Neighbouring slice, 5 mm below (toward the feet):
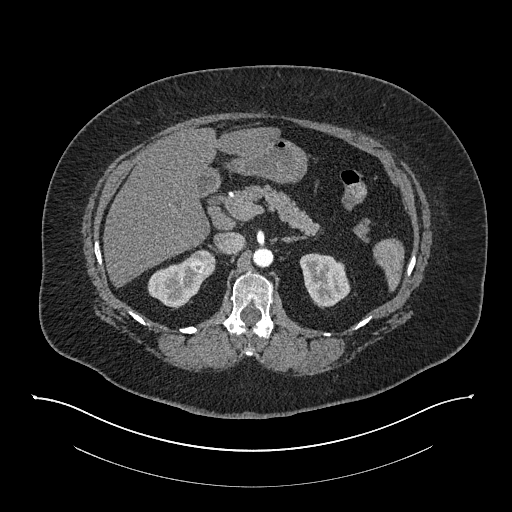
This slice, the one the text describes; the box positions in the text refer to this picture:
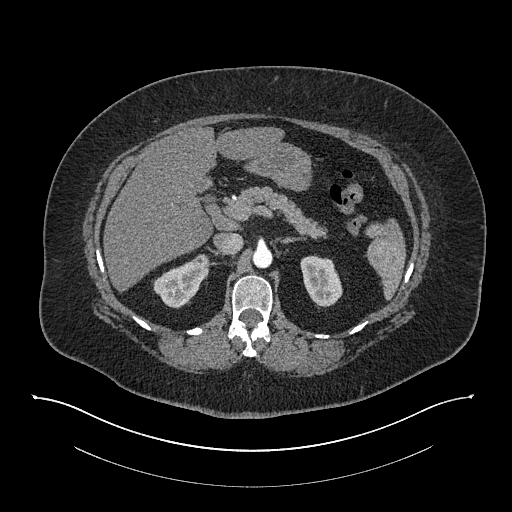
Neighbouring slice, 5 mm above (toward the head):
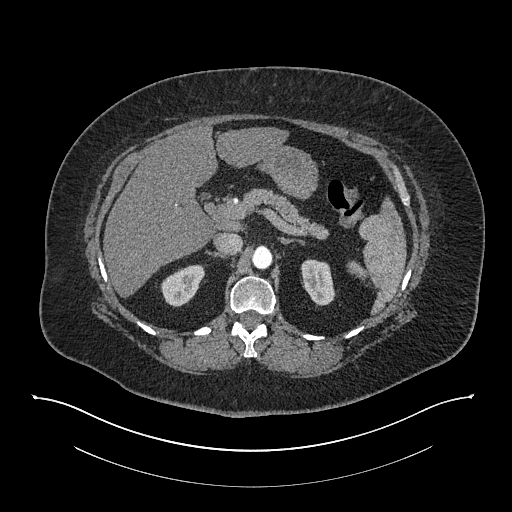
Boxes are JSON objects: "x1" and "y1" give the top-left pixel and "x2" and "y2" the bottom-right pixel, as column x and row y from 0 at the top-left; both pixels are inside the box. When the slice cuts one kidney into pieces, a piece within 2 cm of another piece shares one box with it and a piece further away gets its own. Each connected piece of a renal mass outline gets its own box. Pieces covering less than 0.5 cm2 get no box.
Slice 544/673 of a contrast-enhanced abdominal CT in the arterial phase, counting up from the lowest; pixel size 0.957 mm, slice thickness 1.00 mm. Two kidney boxes and one renal mass box on this slice; by box centre, from the image's left to its right: (1) Box {"x1": 153, "y1": 260, "x2": 211, "y2": 308}: right kidney (outlined area 1,625 px, about 14.9 cm2). (2) Box {"x1": 192, "y1": 254, "x2": 208, "y2": 270}: right renal mass (outlined area 223 px, about 2.0 cm2). (3) Box {"x1": 300, "y1": 255, "x2": 342, "y2": 307}: left kidney (outlined area 1,633 px, about 15.0 cm2). This slice is near the end of the right renal mass toward the head, so the slices 5 mm below and 5 mm above it are shown as well; the boxes refer to this slice only.
Acquired at 140 kVp and reconstructed with the I30f kernel.